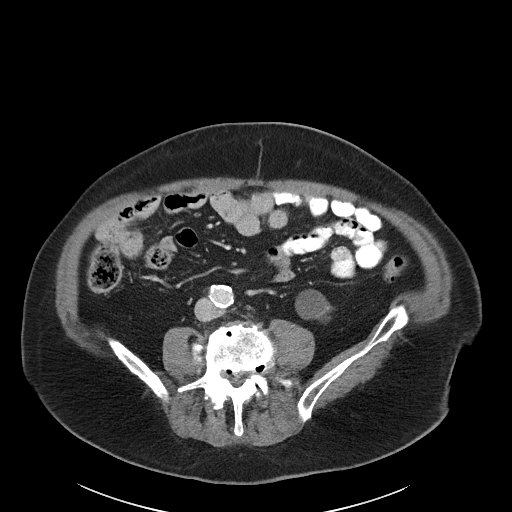
Arterial-phase contrast-enhanced abdominal CT, axial slice 45 of 89 (counted from the lowest slice); tube voltage 100 kVp, convolution kernel I40f; slices 5.00 mm thick, 0.885 mm per pixel.
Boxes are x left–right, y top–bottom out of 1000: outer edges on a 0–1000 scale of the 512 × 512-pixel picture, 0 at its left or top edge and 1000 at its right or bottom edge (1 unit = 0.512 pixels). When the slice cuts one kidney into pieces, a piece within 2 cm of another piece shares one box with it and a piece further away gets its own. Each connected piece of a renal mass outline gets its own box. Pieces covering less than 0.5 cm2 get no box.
Left kidney, box x 576–652, y 564–627 out of 1000 (outlined area 877 px, about 6.9 cm2). No renal mass outline on this slice.